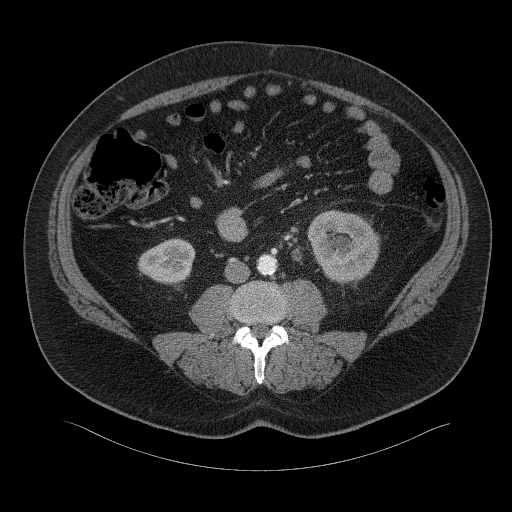
Axial slice 10 of 94 of a contrast-enhanced abdominal CT (slice 1 is the lowest), 120 kVp, kernel B41f; 3.00 mm slice thickness and 0.977 mm pixels.
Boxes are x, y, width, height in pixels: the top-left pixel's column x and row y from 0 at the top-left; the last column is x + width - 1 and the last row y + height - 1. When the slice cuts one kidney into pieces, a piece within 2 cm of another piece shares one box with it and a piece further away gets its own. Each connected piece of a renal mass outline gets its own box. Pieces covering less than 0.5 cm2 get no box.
Two boxes on this slice (two kidney boxes), listed by box centre from the image's left to its right. (1) Box x 137, y 238, width 59, height 53: right kidney (outlined area 2,038 px, about 19.4 cm2). (2) Box x 307, y 210, width 74, height 74: left kidney (outlined area 4,075 px, about 38.9 cm2). This slice carries no renal mass outline.